Axial slice 321 of 738 of a contrast-enhanced abdominal CT in the arterial phase (slice 1 is the lowest), 120 kVp, kernel I30f; 1.00 mm slice thickness and 0.789 mm pixels.
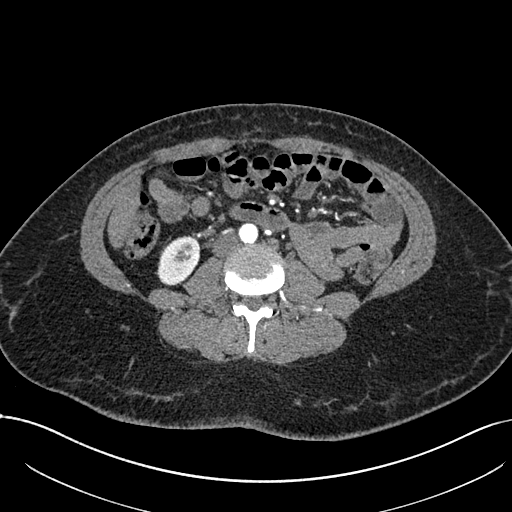
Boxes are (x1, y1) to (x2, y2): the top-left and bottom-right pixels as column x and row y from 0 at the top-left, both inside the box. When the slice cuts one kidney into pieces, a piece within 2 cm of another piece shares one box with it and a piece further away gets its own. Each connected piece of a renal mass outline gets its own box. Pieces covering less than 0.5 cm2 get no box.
Right kidney, box (156, 235) to (199, 285) (outlined area 1,632 px, about 10.2 cm2). No renal mass is outlined on this slice.